One axial slice (308 of 553, counting up from the lowest) of an arterial-phase abdominal CT acquired with 120 kVp, kernel B20f; each pixel is 0.773 mm and the slice is 1.00 mm thick.
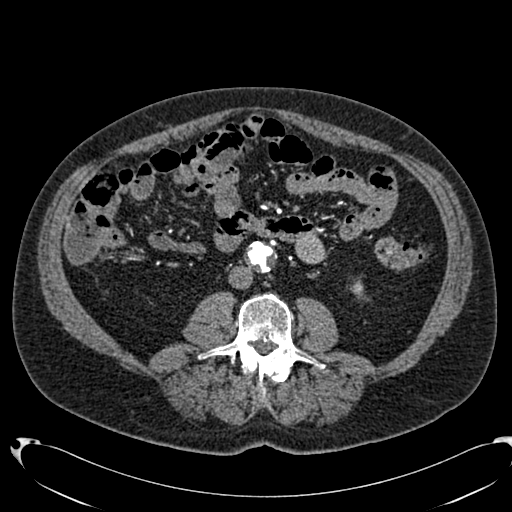
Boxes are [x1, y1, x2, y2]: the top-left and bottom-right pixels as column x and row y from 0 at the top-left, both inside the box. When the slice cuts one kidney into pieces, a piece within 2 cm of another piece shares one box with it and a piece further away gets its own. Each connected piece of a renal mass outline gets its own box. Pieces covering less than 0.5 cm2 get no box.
Box [350, 282, 362, 292]: left kidney (outlined area 98 px, about 0.6 cm2). No renal mass outline on this slice.